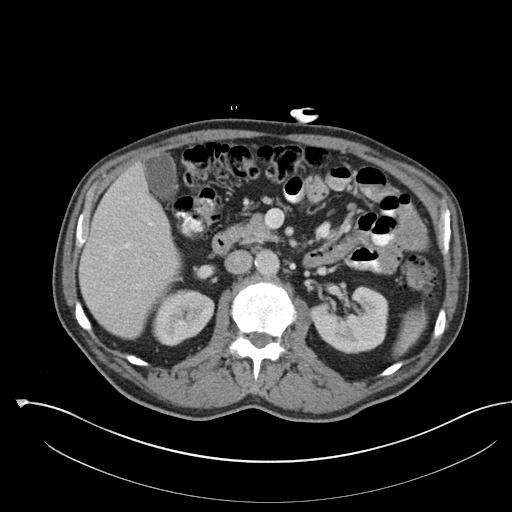
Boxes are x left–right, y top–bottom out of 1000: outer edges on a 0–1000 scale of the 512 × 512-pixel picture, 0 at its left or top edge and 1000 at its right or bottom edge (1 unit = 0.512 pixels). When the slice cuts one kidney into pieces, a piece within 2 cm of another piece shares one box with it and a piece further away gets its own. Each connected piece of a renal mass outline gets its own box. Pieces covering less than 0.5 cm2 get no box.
Contrast-enhanced abdominal CT, axial slice 69 of 142 (counted from the lowest slice); 5.00 mm thick, 0.855 mm per pixel. Two kidney boxes on this slice; by box centre, from the image's left to its right: (1) Right kidney, box x 297–420, y 564–678 out of 1000 (outlined area 2,617 px, about 19.2 cm2). (2) Left kidney, box x 605–760, y 557–691 out of 1000 (outlined area 3,898 px, about 28.5 cm2). No renal mass is outlined on this slice.
Tube voltage 100 kVp; convolution kernel I30f.